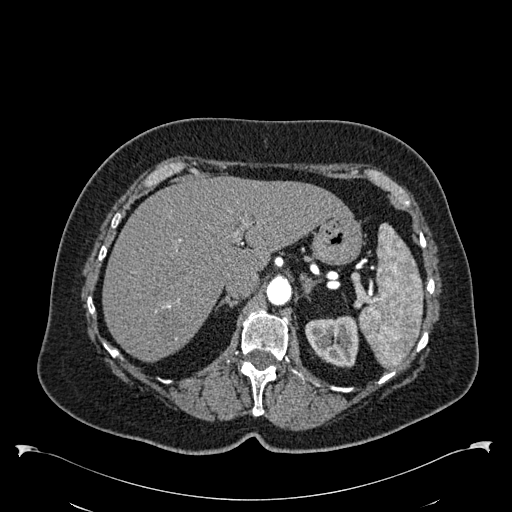
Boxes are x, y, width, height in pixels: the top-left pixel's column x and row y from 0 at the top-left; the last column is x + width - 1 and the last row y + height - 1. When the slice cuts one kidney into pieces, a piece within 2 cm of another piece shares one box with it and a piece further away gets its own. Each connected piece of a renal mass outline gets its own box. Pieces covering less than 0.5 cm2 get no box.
Arterial-phase contrast-enhanced abdominal CT, axial slice 417 of 538 (counted from the lowest slice); 1.00 mm thick, 0.811 mm per pixel. Left kidney, box x 305, y 315, width 54, height 53 (outlined area 2,196 px, about 14.4 cm2). No renal mass outline on this slice.
Scan settings: 120 kVp, B30f reconstruction kernel.